Arterial-phase contrast-enhanced abdominal CT, axial slice 208 of 470 (counted from the lowest slice); tube voltage 120 kVp, convolution kernel I26f; slices 1.00 mm thick, 0.938 mm per pixel.
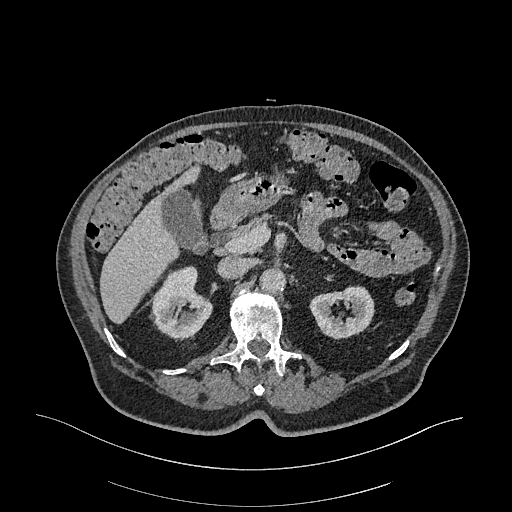
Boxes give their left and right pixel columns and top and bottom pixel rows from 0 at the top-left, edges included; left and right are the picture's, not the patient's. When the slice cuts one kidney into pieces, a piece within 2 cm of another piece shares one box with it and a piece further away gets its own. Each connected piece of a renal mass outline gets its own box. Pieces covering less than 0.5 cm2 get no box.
Two kidney boxes on this slice; by box centre, from the image's left to its right: (1) Right kidney, the box with left 151, top 265, right 212, bottom 337 (outlined area 3,045 px, about 26.8 cm2). (2) Left kidney, the box with left 309, top 285, right 374, bottom 337 (outlined area 2,422 px, about 21.3 cm2). This slice carries no renal mass outline.